Contrast-enhanced abdominal CT, axial slice 67 of 103 (counted from the lowest slice); tube voltage 120 kVp, convolution kernel B31f; slices 5.00 mm thick, 0.801 mm per pixel.
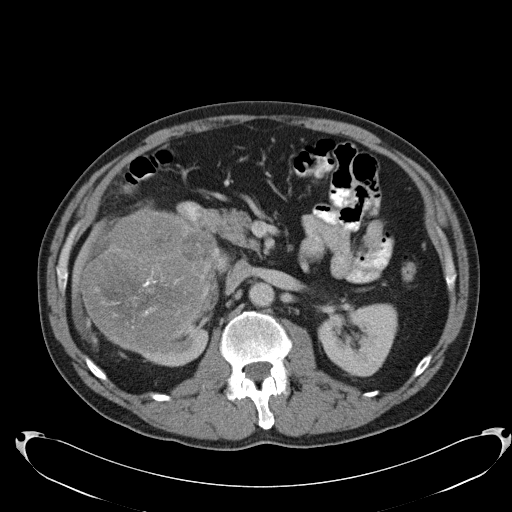
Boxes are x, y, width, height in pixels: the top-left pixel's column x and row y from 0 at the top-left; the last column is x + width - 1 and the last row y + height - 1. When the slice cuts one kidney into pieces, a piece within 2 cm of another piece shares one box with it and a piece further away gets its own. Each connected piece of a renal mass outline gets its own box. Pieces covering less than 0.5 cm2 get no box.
Boxed on this slice (two kidney boxes and one renal mass box), listed by box centre from the image's left to its right: (1) Right renal mass at x 79, y 207, width 141, height 149 (outlined area 15,807 px, about 101.4 cm2). (2) Right kidney at x 142, y 328, width 67, height 40 (outlined area 1,021 px, about 6.5 cm2). (3) Left kidney at x 317, y 303, width 81, height 75 (outlined area 4,286 px, about 27.5 cm2).